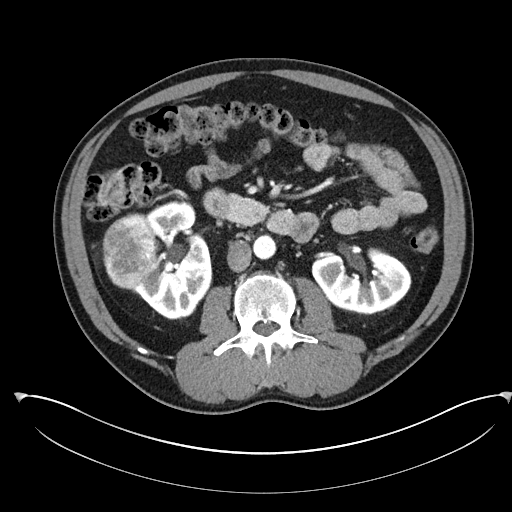
Abdominal CT with intravenous contrast, arterial phase, axial plane, 100 kVp, kernel I30f. Slice 132/302 from the bottom of the scan; thickness 5.00 mm; pixel size 0.875 mm.
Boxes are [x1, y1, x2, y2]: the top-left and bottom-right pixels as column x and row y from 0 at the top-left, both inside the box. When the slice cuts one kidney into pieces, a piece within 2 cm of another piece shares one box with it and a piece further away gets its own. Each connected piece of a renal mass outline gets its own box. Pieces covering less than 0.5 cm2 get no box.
Boxed on this slice (two kidney boxes and one renal mass box), listed by box centre from the image's left to its right: (1) Box [102, 213, 157, 289]: right renal mass (outlined area 3,253 px, about 24.9 cm2). (2) Box [133, 201, 211, 319]: right kidney (outlined area 6,001 px, about 45.9 cm2). (3) Left kidney, box [311, 246, 411, 314] (outlined area 4,850 px, about 37.1 cm2).